Arterial-phase contrast-enhanced abdominal CT, axial slice 63 of 326 (counted from the lowest slice); tube voltage 120 kVp, convolution kernel B31f; slices 2.00 mm thick, 0.963 mm per pixel.
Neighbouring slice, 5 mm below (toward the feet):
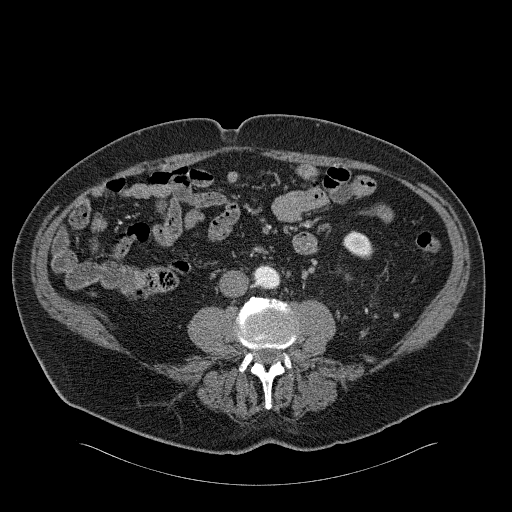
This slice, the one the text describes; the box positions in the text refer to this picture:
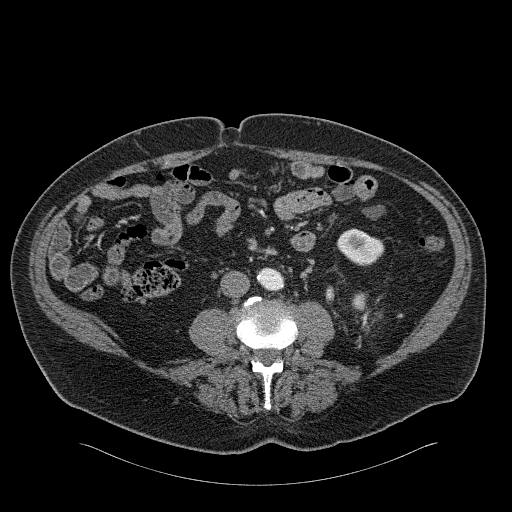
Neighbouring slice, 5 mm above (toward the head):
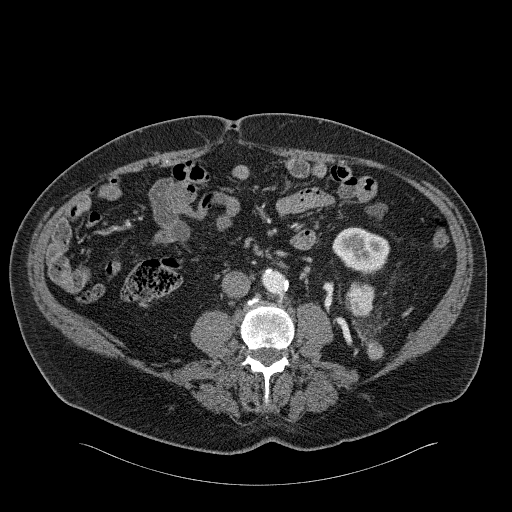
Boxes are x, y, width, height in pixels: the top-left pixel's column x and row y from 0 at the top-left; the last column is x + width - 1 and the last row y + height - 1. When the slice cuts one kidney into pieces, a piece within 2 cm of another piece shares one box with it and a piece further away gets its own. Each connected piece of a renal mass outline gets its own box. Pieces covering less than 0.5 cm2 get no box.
Two boxes on this slice (one kidney box and one renal mass box), listed by box centre from the image's left to its right. (1) Left renal mass at x 352, y 292, width 16, height 18 (outlined area 212 px, about 2.0 cm2); here it is more than 1 cm from any kidney outline, though on another slice the same outlined renal mass lies within 1 cm of the kidney. (2) Box x 336, y 228, width 49, height 38: left kidney (outlined area 1,267 px, about 11.7 cm2). This slice lies near the end of the left renal mass toward the feet; the slices 5 mm below and 5 mm above it are shown too, and the boxes mark positions on this slice only.